Axial slice 124 of 186 of a contrast-enhanced abdominal CT in the arterial phase (slice 1 is the lowest), 120 kVp, kernel STANDARD; 2.50 mm slice thickness and 0.742 mm pixels.
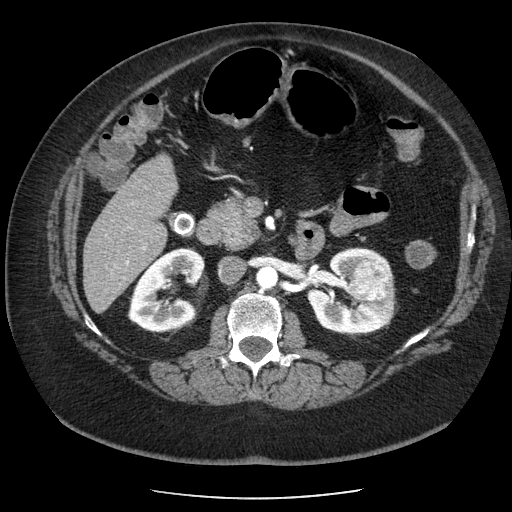
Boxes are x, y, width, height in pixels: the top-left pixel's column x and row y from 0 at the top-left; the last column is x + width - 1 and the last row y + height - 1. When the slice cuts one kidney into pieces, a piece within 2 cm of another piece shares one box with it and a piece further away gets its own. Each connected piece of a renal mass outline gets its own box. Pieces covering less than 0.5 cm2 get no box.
Three boxes on this slice (two kidney boxes and one renal mass box), listed by box centre from the image's left to its right. (1) Right kidney, box x 127, y 247, width 79, height 85 (outlined area 4,506 px, about 24.8 cm2). (2) Box x 306, y 247, width 91, height 87: left kidney (outlined area 4,636 px, about 25.5 cm2). (3) Left renal mass at x 349, y 262, width 42, height 38 (outlined area 1,343 px, about 7.4 cm2).